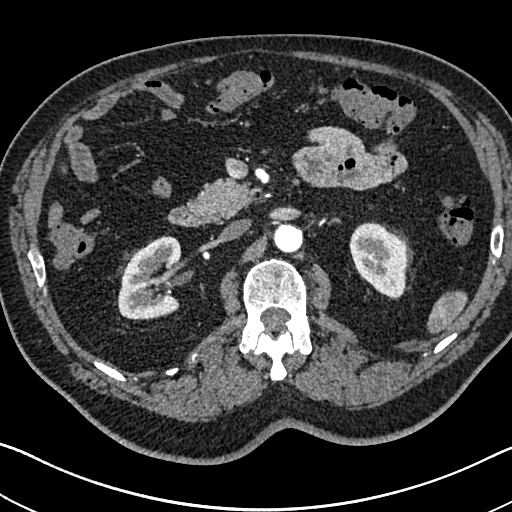
One axial slice (443 of 705, counting up from the lowest) of an arterial-phase abdominal CT acquired with 120 kVp, kernel I30f; each pixel is 0.703 mm and the slice is 1.00 mm thick.
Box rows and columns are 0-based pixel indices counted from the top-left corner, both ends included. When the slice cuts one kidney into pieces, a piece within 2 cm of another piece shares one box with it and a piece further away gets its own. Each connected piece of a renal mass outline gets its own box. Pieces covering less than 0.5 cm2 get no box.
Boxed on this slice (two kidney boxes), listed by box centre from the image's left to its right: (1) Box rows 236–320, columns 117–181: right kidney (outlined area 4,125 px, about 20.4 cm2). (2) Box rows 221–299, columns 349–407: left kidney (outlined area 3,332 px, about 16.5 cm2). This slice carries no renal mass outline.